Axial slice 82 of 145 of a contrast-enhanced abdominal CT (slice 1 is the lowest), 120 kVp, kernel B41f; 5.00 mm slice thickness and 0.859 mm pixels.
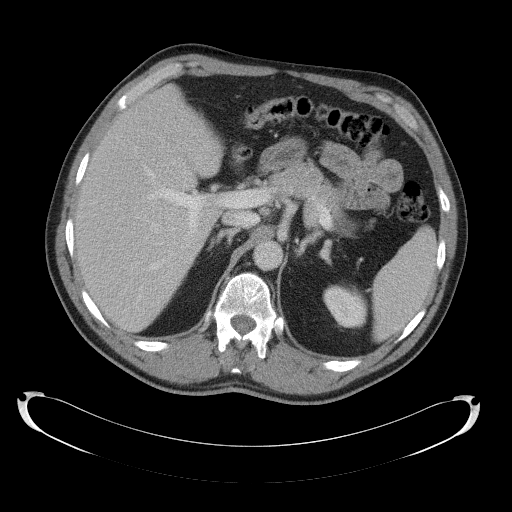
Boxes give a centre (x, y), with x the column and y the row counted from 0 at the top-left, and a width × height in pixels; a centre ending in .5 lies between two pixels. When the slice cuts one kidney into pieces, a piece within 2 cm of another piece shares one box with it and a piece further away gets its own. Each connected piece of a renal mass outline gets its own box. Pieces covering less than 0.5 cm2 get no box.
Two kidney boxes on this slice; by box centre, from the image's left to its right: (1) Left kidney (one of two boxed parts), box centre (345, 226), 23 × 21 pixels (outlined area 331 px, about 2.4 cm2). (2) Left kidney (one of two boxed parts), box centre (345.5, 306), 46 × 45 pixels (outlined area 1,561 px, about 11.5 cm2). No renal mass outline on this slice.